One axial slice (189 of 541, counting up from the lowest) of an arterial-phase abdominal CT acquired with 120 kVp, kernel I30f; each pixel is 0.834 mm and the slice is 1.00 mm thick.
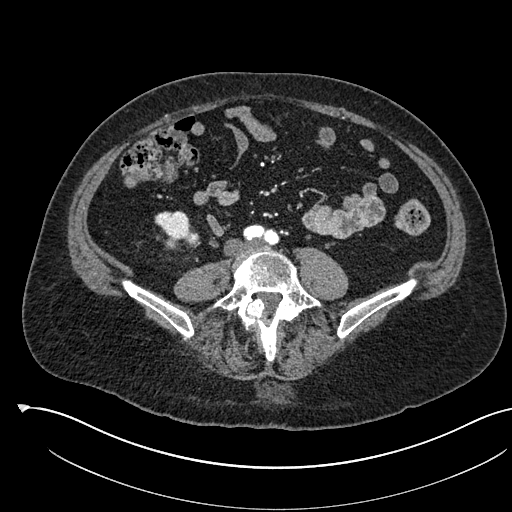
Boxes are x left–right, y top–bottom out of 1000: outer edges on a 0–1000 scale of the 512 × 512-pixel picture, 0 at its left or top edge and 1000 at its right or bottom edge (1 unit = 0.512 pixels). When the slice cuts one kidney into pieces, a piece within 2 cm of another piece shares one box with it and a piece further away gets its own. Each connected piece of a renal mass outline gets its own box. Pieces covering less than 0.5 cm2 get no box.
Boxed on this slice (one kidney box and one renal mass box), listed by box centre from the image's left to its right: (1) Box x 301–377, y 410–480 out of 1000: right kidney (outlined area 852 px, about 5.9 cm2). (2) Box x 355–393, y 447–486 out of 1000: right renal mass (outlined area 244 px, about 1.7 cm2).